Arterial-phase contrast-enhanced abdominal CT, axial slice 29 of 61 (counted from the lowest slice); tube voltage 140 kVp, convolution kernel I41f; slices 3.00 mm thick, 0.947 mm per pixel.
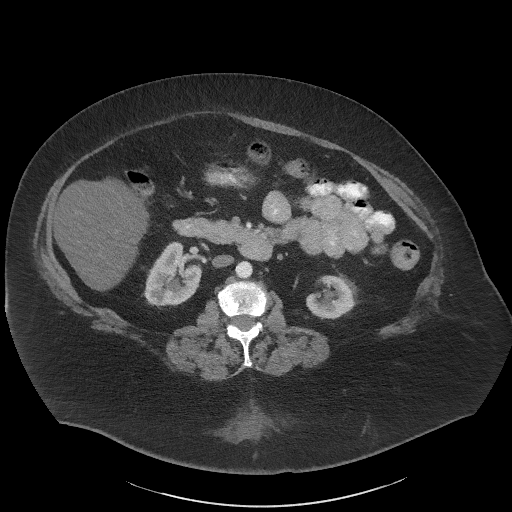
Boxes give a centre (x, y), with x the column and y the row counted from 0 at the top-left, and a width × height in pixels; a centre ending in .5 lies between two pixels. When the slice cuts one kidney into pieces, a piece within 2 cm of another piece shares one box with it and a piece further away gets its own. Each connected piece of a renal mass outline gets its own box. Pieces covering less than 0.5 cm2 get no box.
Two kidney boxes on this slice; by box centre, from the image's left to its right: (1) Right kidney in a box with centre (172.5, 273.5), 60 × 66 pixels (outlined area 2,755 px, about 24.7 cm2). (2) Left kidney, box centre (329.5, 297), 48 × 45 pixels (outlined area 1,622 px, about 14.6 cm2). This slice carries no renal mass outline.